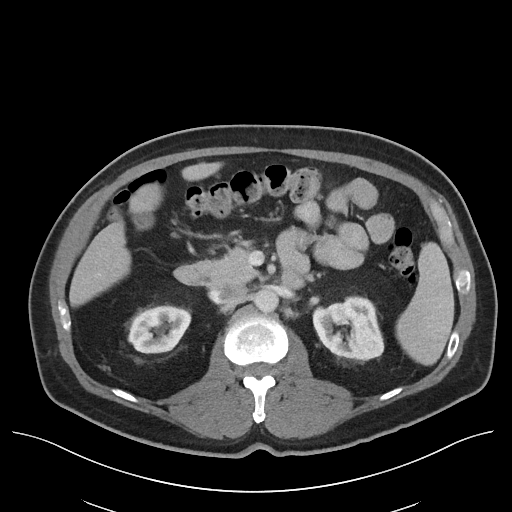
Abdominal CT with intravenous contrast, arterial phase, axial plane, 120 kVp, kernel I40f. Slice 69/96 from the bottom of the scan; thickness 5.00 mm; pixel size 0.840 mm.
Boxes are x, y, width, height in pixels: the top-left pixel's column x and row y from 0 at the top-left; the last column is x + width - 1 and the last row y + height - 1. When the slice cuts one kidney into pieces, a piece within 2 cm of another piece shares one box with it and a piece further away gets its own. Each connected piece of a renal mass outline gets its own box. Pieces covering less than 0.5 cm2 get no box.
Boxed on this slice (two kidney boxes and one renal mass box), listed by box centre from the image's left to its right: (1) Right kidney at x 128, y 305, width 63, height 49 (outlined area 2,326 px, about 16.4 cm2). (2) Left renal mass, box x 312, y 306, width 13, height 14 (outlined area 131 px, about 0.9 cm2). (3) Left kidney, box x 312, y 296, width 72, height 65 (outlined area 3,319 px, about 23.4 cm2).